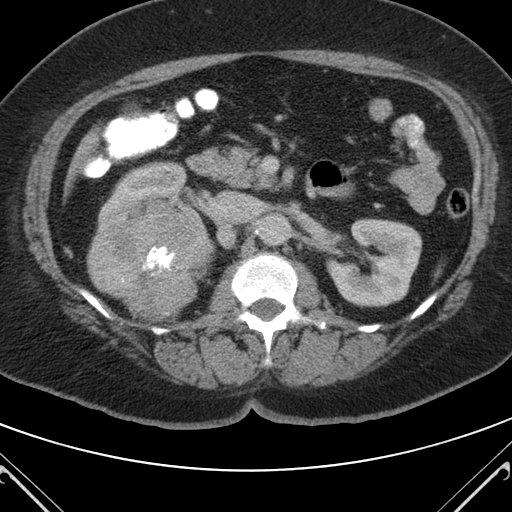
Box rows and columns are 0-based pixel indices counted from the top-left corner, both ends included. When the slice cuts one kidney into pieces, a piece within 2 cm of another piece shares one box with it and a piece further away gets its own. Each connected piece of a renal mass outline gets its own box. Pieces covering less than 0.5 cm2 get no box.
Arterial-phase contrast-enhanced abdominal CT, axial slice 65 of 98 (counted from the lowest slice); 5.00 mm thick, 0.703 mm per pixel. Two kidney boxes and one renal mass box on this slice; by box centre, from the image's left to its right: (1) Right kidney, box rows 160–195, columns 110–186 (outlined area 1,628 px, about 8.0 cm2). (2) Right renal mass at rows 186–320, columns 86–215 (outlined area 12,944 px, about 64.0 cm2). (3) Left kidney, box rows 218–307, columns 325–422 (outlined area 6,347 px, about 31.4 cm2).
Acquired at 120 kVp and reconstructed with the B kernel.